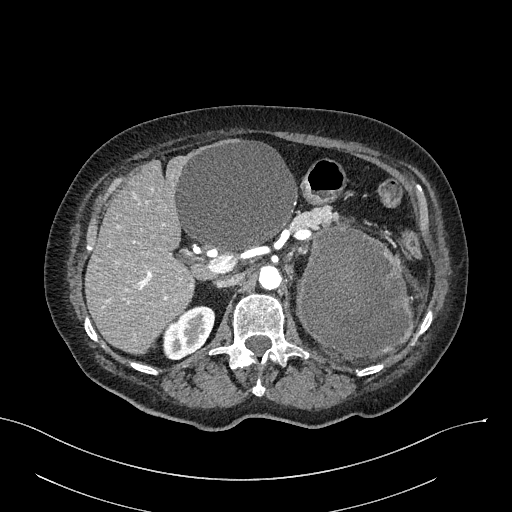
One axial slice (171 of 316, counting up from the lowest) of an arterial-phase abdominal CT acquired with 100 kVp, kernel I40f; each pixel is 0.840 mm and the slice is 2.00 mm thick.
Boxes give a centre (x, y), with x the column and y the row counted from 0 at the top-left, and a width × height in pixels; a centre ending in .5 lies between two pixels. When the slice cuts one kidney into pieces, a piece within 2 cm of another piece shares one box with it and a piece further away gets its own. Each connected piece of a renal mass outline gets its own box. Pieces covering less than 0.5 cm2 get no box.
One kidney box and one renal mass box on this slice; by box centre, from the image's left to its right: (1) Right kidney in a box with centre (188.5, 332.5), 54 × 56 pixels (outlined area 1,983 px, about 14.0 cm2). (2) Box centre (353.5, 292), 118 × 133 pixels: left renal mass (outlined area 11,993 px, about 84.6 cm2); on this slice it lies more than 1 cm from any kidney outline, but the same outlined renal mass comes within 1 cm of the kidney on another slice.